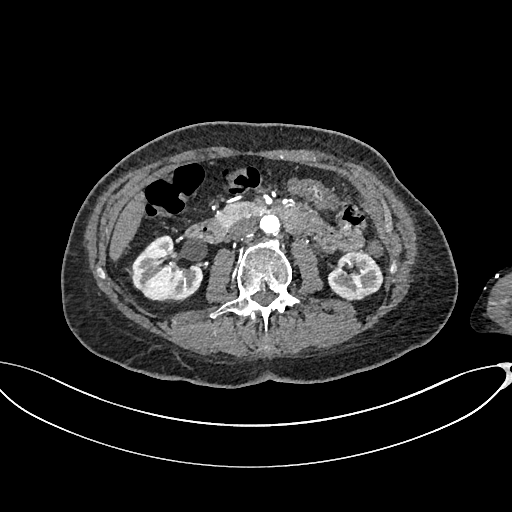
Axial slice 365 of 665 of a contrast-enhanced abdominal CT in the arterial phase (slice 1 is the lowest), 100 kVp, kernel I26f; 1.00 mm slice thickness and 0.828 mm pixels.
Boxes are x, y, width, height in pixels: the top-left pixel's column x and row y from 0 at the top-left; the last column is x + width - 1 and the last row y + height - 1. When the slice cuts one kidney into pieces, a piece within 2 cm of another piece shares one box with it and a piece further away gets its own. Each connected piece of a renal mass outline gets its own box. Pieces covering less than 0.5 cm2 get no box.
Two boxes on this slice (two kidney boxes), listed by box centre from the image's left to its right. (1) Box x 127, y 235, width 77, height 68: right kidney (outlined area 3,385 px, about 23.2 cm2). (2) Box x 327, y 251, width 57, height 50: left kidney (outlined area 2,067 px, about 14.2 cm2). No renal mass is outlined on this slice.